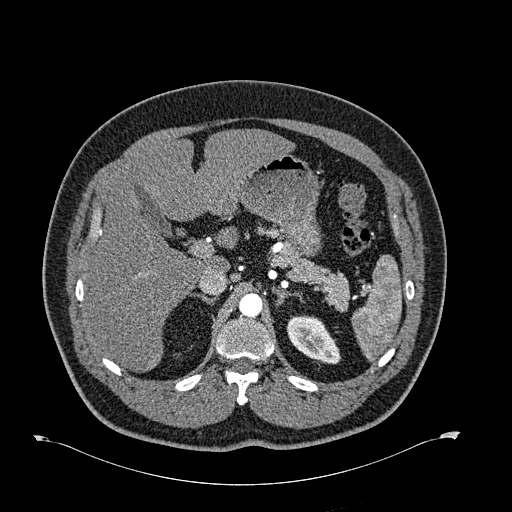
Axial slice 474 of 723 of a contrast-enhanced abdominal CT in the arterial phase (slice 1 is the lowest), 120 kVp, kernel B30f; 1.00 mm slice thickness and 0.895 mm pixels.
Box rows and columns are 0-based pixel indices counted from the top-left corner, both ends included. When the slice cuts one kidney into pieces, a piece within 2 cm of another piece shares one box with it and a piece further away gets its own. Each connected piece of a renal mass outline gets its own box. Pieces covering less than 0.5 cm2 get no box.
Box rows 315–364, columns 286–340: left kidney (outlined area 1,796 px, about 14.4 cm2). No renal mass is outlined on this slice.